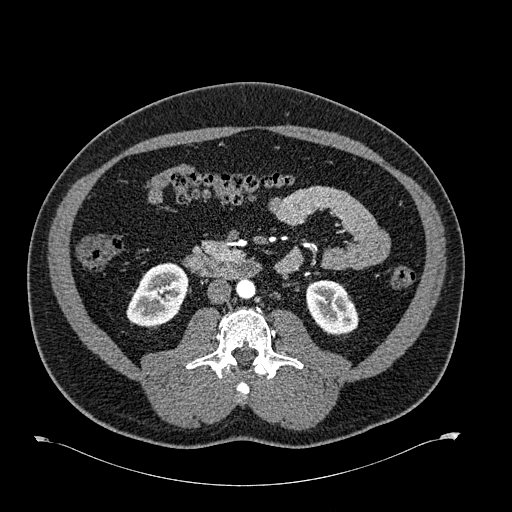
Arterial-phase contrast-enhanced abdominal CT, axial slice 307 of 723 (counted from the lowest slice); tube voltage 120 kVp, convolution kernel B30f; slices 1.00 mm thick, 0.895 mm per pixel.
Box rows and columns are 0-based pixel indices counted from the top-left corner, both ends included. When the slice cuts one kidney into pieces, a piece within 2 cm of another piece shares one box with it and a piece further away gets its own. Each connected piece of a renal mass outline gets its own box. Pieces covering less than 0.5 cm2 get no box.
Two kidney boxes on this slice; by box centre, from the image's left to its right: (1) Box rows 262–328, columns 126–189: right kidney (outlined area 2,898 px, about 23.2 cm2). (2) Left kidney at rows 280–335, columns 306–358 (outlined area 2,225 px, about 17.8 cm2). This slice carries no renal mass outline.